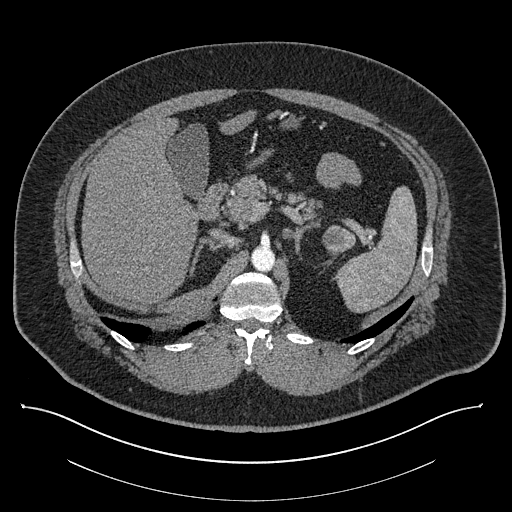
Contrast-enhanced abdominal CT, axial slice 573 of 787 (counted from the lowest slice); tube voltage 140 kVp, convolution kernel I30f; slices 1.00 mm thick, 0.910 mm per pixel.
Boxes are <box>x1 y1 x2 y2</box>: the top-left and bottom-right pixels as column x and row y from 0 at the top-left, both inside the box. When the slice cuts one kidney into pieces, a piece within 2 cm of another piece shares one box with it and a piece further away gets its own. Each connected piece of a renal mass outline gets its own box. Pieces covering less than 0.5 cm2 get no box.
At <box>322 225 355 251</box>: left renal mass (outlined area 707 px, about 5.9 cm2).